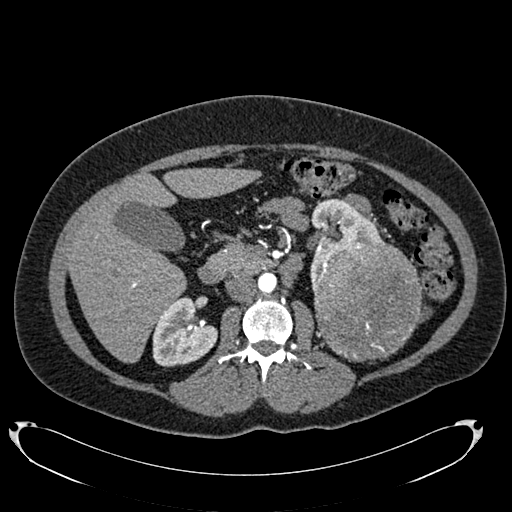
Abdominal CT with intravenous contrast, arterial phase, axial plane, 120 kVp, kernel B20f. Slice 427/634 from the bottom of the scan; thickness 1.00 mm; pixel size 0.838 mm.
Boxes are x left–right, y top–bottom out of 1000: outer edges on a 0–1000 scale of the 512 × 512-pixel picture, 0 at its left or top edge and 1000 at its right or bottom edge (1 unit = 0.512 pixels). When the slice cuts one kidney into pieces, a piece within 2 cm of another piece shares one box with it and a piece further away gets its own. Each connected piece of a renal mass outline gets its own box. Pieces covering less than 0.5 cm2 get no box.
Two kidney boxes and one renal mass box on this slice; by box centre, from the image's left to its right: (1) Box x 297–428, y 580–717 out of 1000: right kidney (outlined area 3,282 px, about 23.0 cm2). (2) Box x 604–754, y 387–568 out of 1000: left kidney (outlined area 3,021 px, about 21.2 cm2). (3) Left renal mass, box x 611–826, y 469–707 out of 1000 (outlined area 10,565 px, about 74.2 cm2).